Arterial-phase contrast-enhanced abdominal CT, axial slice 77 of 98 (counted from the lowest slice); tube voltage 120 kVp, convolution kernel B31f; slices 5.00 mm thick, 0.764 mm per pixel.
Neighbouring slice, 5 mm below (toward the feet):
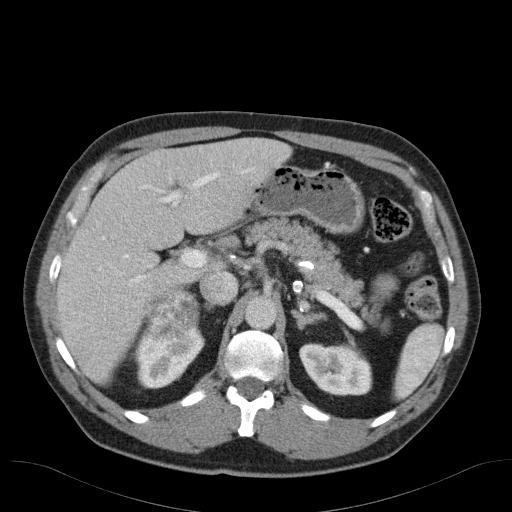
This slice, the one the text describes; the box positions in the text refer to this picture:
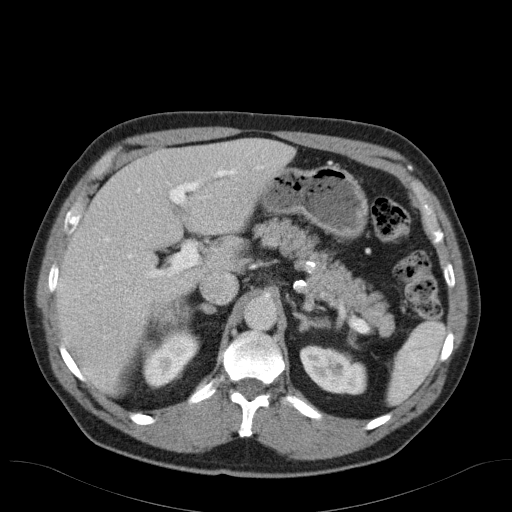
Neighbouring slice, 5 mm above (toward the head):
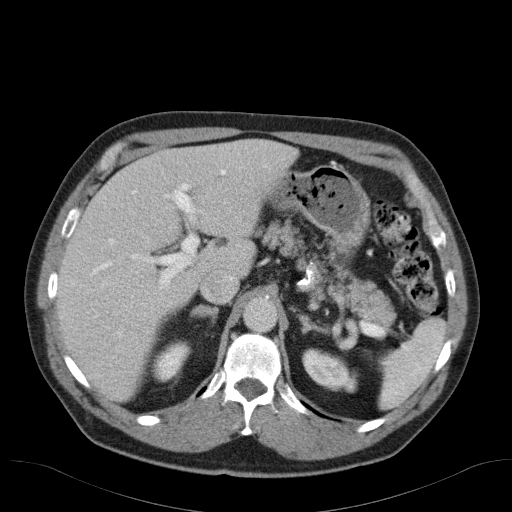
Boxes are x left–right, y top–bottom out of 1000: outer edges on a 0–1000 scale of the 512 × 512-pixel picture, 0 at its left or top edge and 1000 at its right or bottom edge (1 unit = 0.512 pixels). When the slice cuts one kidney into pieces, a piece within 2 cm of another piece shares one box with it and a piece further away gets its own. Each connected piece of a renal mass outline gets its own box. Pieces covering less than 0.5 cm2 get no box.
Two kidney boxes and one renal mass box on this slice; by box centre, from the image's left to its right: (1) Right kidney at x 271–393, y 645–762 out of 1000 (outlined area 2,391 px, about 13.9 cm2). (2) Box x 293–381, y 580–664 out of 1000: right renal mass (outlined area 1,527 px, about 8.9 cm2). (3) Box x 584–719, y 674–773 out of 1000: left kidney (outlined area 2,491 px, about 14.5 cm2). This slice lies near the end of the right renal mass toward the head; the slices 5 mm below and 5 mm above it are shown too, and the boxes mark positions on this slice only.